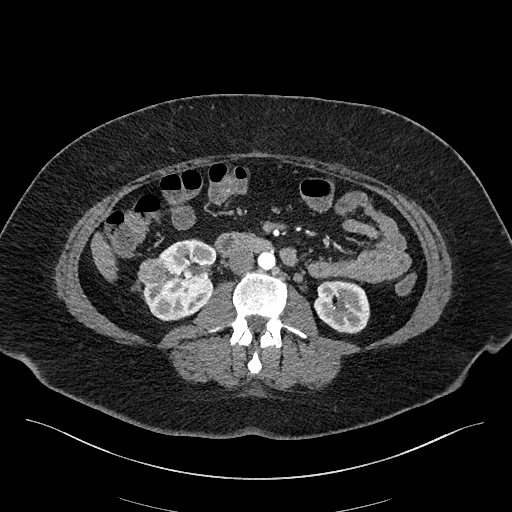
Abdominal CT with intravenous contrast, arterial phase, axial plane, 100 kVp, kernel I40f. Slice 83/270 from the bottom of the scan; thickness 2.00 mm; pixel size 0.855 mm.
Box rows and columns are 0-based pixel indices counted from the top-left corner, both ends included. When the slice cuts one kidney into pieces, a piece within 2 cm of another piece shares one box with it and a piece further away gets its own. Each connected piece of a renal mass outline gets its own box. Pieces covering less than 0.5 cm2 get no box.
Boxed on this slice (two kidney boxes and one renal mass box), listed by box centre from the image's left to its right: (1) Right renal mass at rows 258–285, columns 137–165 (outlined area 632 px, about 4.6 cm2). (2) Right kidney at rows 239–320, columns 143–217 (outlined area 4,131 px, about 30.2 cm2). (3) Left kidney at rows 280–333, columns 313–369 (outlined area 2,376 px, about 17.4 cm2).